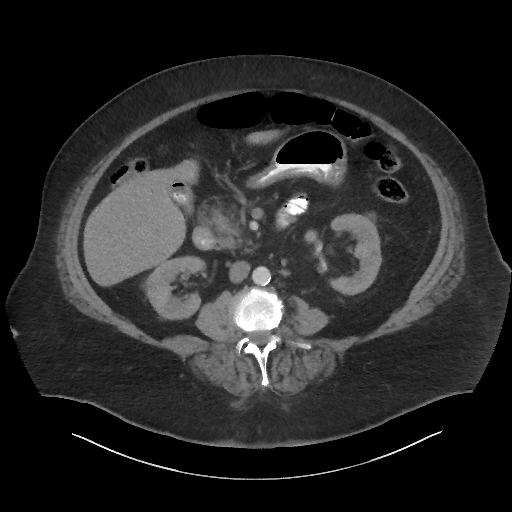
Contrast-enhanced abdominal CT, axial slice 30 of 86 (counted from the lowest slice); tube voltage 140 kVp, convolution kernel I44f; slices 3.00 mm thick, 0.977 mm per pixel.
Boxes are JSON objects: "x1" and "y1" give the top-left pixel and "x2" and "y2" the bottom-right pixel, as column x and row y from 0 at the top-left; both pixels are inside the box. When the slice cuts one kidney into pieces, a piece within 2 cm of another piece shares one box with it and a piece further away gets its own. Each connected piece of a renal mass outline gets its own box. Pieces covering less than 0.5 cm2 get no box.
Two boxes on this slice (two kidney boxes), listed by box centre from the image's left to its right. (1) Right kidney at {"x1": 142, "y1": 255, "x2": 204, "y2": 319} (outlined area 2,751 px, about 26.2 cm2). (2) Box {"x1": 328, "y1": 213, "x2": 382, "y2": 295}: left kidney (outlined area 2,758 px, about 26.3 cm2). This slice carries no renal mass outline.